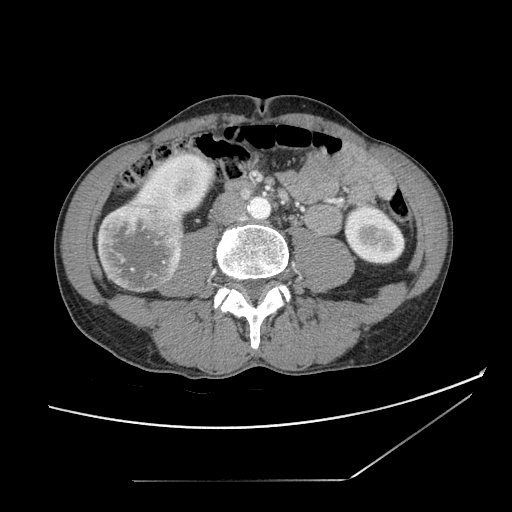
Abdominal CT with intravenous contrast, axial plane, 120 kVp, kernel STANDARD. Slice 40/121 from the bottom of the scan; thickness 2.50 mm; pixel size 0.742 mm.
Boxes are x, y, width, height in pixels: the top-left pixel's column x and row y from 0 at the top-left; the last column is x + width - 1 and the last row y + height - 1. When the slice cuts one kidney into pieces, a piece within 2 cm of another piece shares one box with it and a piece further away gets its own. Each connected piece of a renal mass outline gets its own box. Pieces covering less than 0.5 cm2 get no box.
Boxed on this slice (two kidney boxes and one renal mass box), listed by box centre from the image's left to its right: (1) Right renal mass at x 96, y 202, width 88, height 90 (outlined area 6,444 px, about 35.5 cm2). (2) Box x 126, y 153, width 90, height 67: right kidney (outlined area 3,516 px, about 19.4 cm2). (3) Box x 345, y 205, width 61, height 60: left kidney (outlined area 2,788 px, about 15.4 cm2).